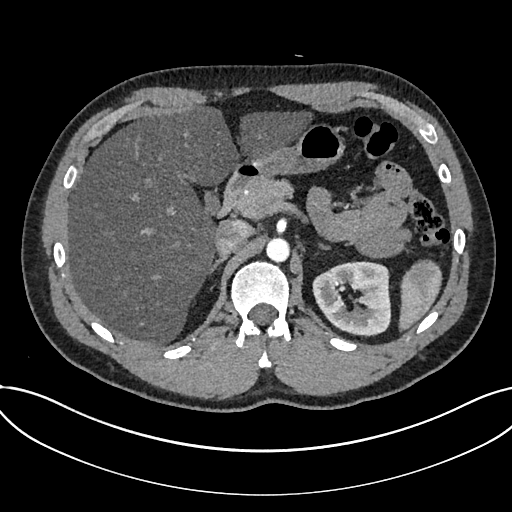
Axial slice 508 of 735 of a contrast-enhanced abdominal CT in the arterial phase (slice 1 is the lowest), 120 kVp, kernel I30f; 1.00 mm slice thickness and 0.789 mm pixels.
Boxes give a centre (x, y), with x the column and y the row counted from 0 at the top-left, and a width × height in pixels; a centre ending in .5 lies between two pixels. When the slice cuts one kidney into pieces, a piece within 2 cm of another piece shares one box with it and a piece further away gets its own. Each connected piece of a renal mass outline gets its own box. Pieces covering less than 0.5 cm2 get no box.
Kidney in a box with centre (351.5, 298.5), 80 × 76 pixels (outlined area 4,593 px, about 28.6 cm2). This slice carries no renal mass outline.